Contrast-enhanced abdominal CT, axial slice 55 of 103 (counted from the lowest slice); tube voltage 120 kVp, convolution kernel B31f; slices 5.00 mm thick, 0.801 mm per pixel.
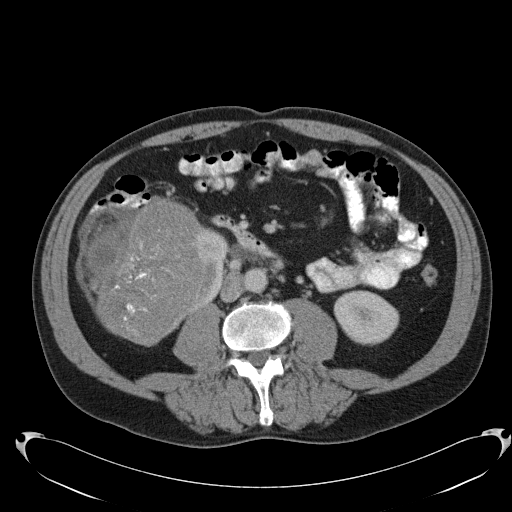
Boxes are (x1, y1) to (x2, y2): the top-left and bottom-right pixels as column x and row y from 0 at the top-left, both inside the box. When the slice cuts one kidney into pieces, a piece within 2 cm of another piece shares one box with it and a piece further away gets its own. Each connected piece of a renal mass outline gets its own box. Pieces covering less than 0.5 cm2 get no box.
Three boxes on this slice (two kidney boxes and one renal mass box), listed by box centre from the image's left to its right. (1) Right renal mass from (85, 198) to (204, 346) (outlined area 13,054 px, about 83.7 cm2). (2) Right kidney, box (196, 222) to (227, 312) (outlined area 1,572 px, about 10.1 cm2). (3) Left kidney, box (333, 291) to (399, 345) (outlined area 2,730 px, about 17.5 cm2).